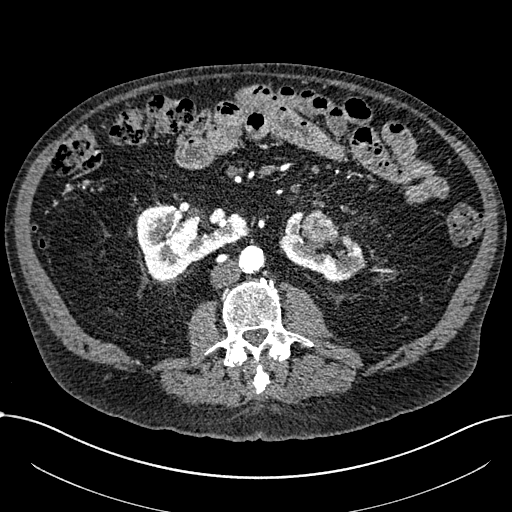
One axial slice (332 of 1059, counting up from the lowest) of an arterial-phase abdominal CT acquired with 100 kVp, kernel I30f; each pixel is 0.811 mm and the slice is 1.00 mm thick.
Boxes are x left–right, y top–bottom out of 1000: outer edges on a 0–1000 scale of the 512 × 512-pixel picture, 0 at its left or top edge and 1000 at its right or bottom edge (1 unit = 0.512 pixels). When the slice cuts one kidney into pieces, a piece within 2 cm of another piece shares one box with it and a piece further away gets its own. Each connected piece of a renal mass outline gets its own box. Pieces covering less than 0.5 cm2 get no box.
Three boxes on this slice (two kidney boxes and one renal mass box), listed by box centre from the image's left to its right. (1) Box x 266–486, y 398–549 out of 1000: right part of the midline-crossing kidney (outlined area 5,652 px, about 37.1 cm2). (2) Renal mass at x 586–662, y 410–486 out of 1000 (outlined area 1,081 px, about 7.1 cm2). (3) Box x 545–715, y 412–555 out of 1000: left part of the midline-crossing kidney (outlined area 2,806 px, about 18.4 cm2).